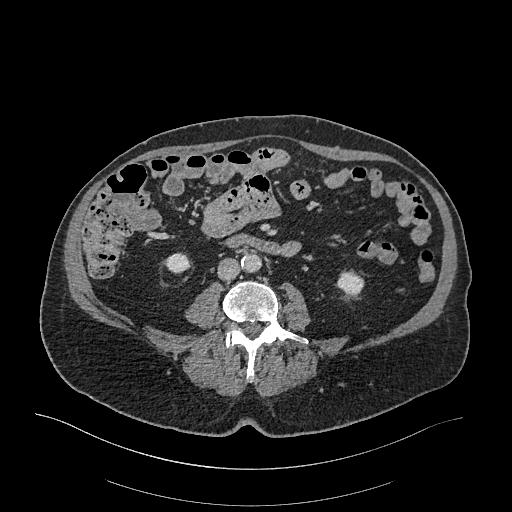
Abdominal CT with intravenous contrast, arterial phase, axial plane, 120 kVp, kernel I26f. Slice 69/470 from the bottom of the scan; thickness 1.00 mm; pixel size 0.938 mm.
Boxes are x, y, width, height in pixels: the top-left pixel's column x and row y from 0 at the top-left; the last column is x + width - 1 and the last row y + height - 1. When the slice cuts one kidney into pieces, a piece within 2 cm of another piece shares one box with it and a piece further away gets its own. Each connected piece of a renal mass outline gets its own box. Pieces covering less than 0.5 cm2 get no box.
Boxed on this slice (two kidney boxes), listed by box centre from the image's left to its right: (1) Right kidney at x 165, y 253, width 25, height 21 (outlined area 403 px, about 3.5 cm2). (2) Left kidney at x 337, y 271, width 28, height 25 (outlined area 521 px, about 4.6 cm2). No renal mass outline on this slice.